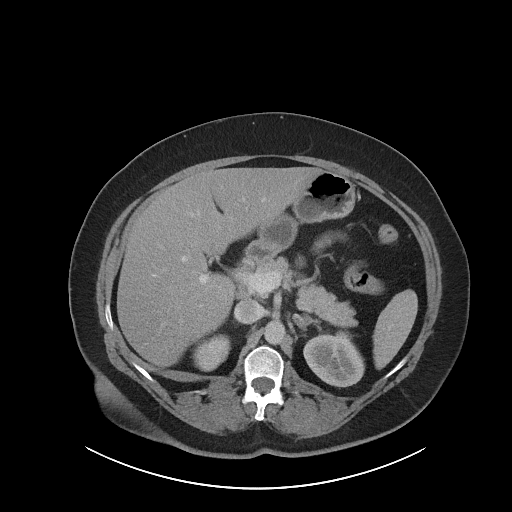
One axial slice (61 of 86, counting up from the lowest) of an arterial-phase abdominal CT acquired with 120 kVp, kernel I40f; each pixel is 0.977 mm and the slice is 5.00 mm thick.
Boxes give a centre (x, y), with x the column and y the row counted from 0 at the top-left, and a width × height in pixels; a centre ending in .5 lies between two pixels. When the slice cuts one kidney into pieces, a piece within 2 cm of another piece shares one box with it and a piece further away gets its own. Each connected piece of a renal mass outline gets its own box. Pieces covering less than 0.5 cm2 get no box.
Boxed on this slice (two kidney boxes), listed by box centre from the image's left to its right: (1) Right kidney, box centre (211, 352.5), 39 × 38 pixels (outlined area 1,064 px, about 10.1 cm2). (2) Left kidney in a box with centre (333.5, 357.5), 62 × 60 pixels (outlined area 2,635 px, about 25.1 cm2). This slice carries no renal mass outline.